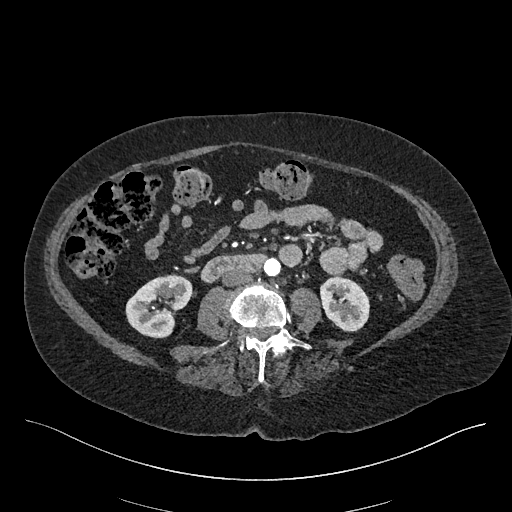
One axial slice (188 of 548, counting up from the lowest) of an arterial-phase abdominal CT acquired with 120 kVp, kernel I26f; each pixel is 0.852 mm and the slice is 1.00 mm thick.
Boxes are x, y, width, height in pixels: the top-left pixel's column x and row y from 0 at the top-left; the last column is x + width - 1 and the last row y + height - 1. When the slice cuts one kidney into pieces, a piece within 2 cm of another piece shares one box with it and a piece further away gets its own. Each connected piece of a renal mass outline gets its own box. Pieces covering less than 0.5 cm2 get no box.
Boxed on this slice (two kidney boxes), listed by box centre from the image's left to its right: (1) Right kidney, box x 125, y 274, width 68, height 65 (outlined area 2,974 px, about 21.6 cm2). (2) Left kidney at x 320, y 276, width 50, height 56 (outlined area 2,139 px, about 15.5 cm2). No renal mass outline on this slice.